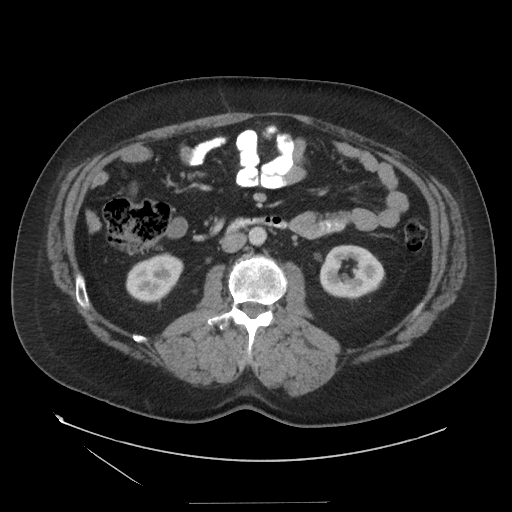
Arterial-phase contrast-enhanced abdominal CT, axial slice 72 of 129 (counted from the lowest slice); tube voltage 140 kVp, convolution kernel STANDARD; slices 3.75 mm thick, 0.938 mm per pixel.
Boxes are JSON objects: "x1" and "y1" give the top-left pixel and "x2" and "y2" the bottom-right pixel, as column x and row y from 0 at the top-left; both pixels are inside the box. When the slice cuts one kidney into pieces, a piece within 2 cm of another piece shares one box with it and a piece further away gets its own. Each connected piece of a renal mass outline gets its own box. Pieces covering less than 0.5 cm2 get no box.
Two boxes on this slice (two kidney boxes), listed by box centre from the image's left to its right. (1) Box {"x1": 125, "y1": 252, "x2": 183, "y2": 303}: right kidney (outlined area 2,117 px, about 18.6 cm2). (2) Box {"x1": 319, "y1": 244, "x2": 385, "y2": 299}: left kidney (outlined area 2,703 px, about 23.8 cm2). This slice carries no renal mass outline.